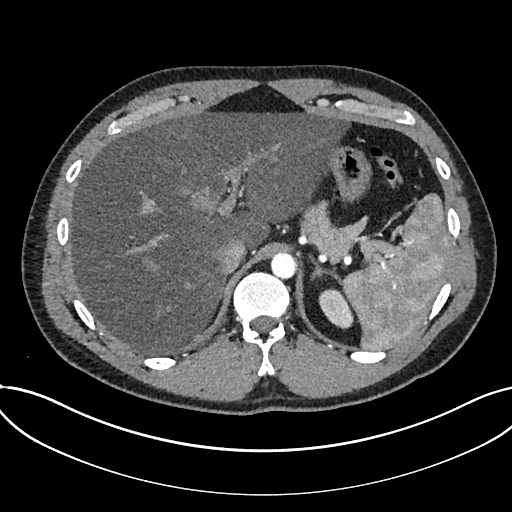
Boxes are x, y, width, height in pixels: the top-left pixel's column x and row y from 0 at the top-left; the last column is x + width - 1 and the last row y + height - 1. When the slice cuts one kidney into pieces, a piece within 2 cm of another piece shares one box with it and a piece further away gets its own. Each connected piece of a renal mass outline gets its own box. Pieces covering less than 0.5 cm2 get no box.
Arterial-phase contrast-enhanced abdominal CT, axial slice 584 of 735 (counted from the lowest slice); 1.00 mm thick, 0.789 mm per pixel. Box x 318, y 288, width 36, height 42: kidney (outlined area 975 px, about 6.1 cm2). This slice carries no renal mass outline.
Scan settings: 120 kVp, I30f reconstruction kernel.